Abdominal CT with intravenous contrast, arterial phase, axial plane, 120 kVp, kernel B30f. Slice 470/723 from the bottom of the scan; thickness 1.00 mm; pixel size 0.895 mm.
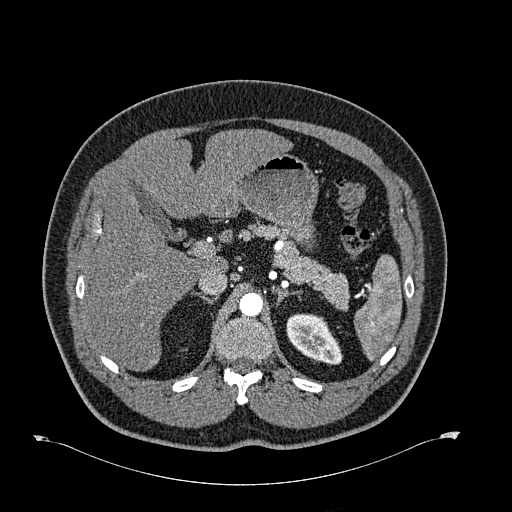
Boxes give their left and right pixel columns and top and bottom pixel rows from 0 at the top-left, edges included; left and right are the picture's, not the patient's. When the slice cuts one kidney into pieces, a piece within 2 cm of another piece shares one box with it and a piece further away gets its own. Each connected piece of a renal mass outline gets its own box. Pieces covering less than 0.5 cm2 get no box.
Left kidney, the box with left 286, top 313, right 342, bottom 365 (outlined area 2,010 px, about 16.1 cm2). No renal mass is outlined on this slice.